Abdominal CT with intravenous contrast, arterial phase, axial plane, 120 kVp, kernel FC18. Slice 107/207 from the bottom of the scan; thickness 2.00 mm; pixel size 0.741 mm.
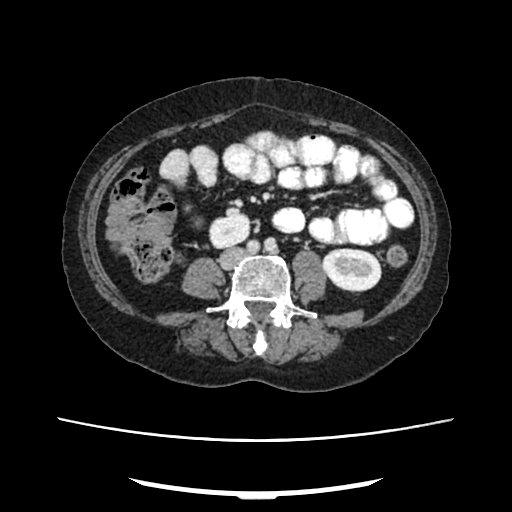
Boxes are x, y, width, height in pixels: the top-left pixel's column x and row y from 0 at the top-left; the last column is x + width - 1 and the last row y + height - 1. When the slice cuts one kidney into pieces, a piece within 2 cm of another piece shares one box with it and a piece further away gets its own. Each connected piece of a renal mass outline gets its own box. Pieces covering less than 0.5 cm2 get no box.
Boxed on this slice (two kidney boxes), listed by box centre from the image's left to its right: (1) Right kidney, box x 208, y 213, width 43, height 36 (outlined area 1,184 px, about 6.5 cm2). (2) Box x 322, y 248, width 60, height 44: left kidney (outlined area 2,114 px, about 11.6 cm2). No renal mass is outlined on this slice.